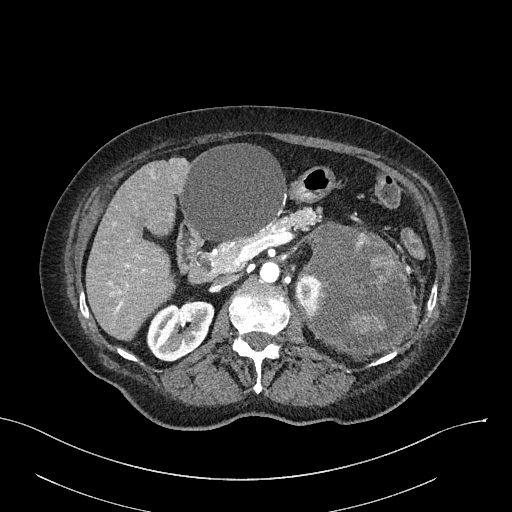
One axial slice (158 of 316, counting up from the lowest) of an arterial-phase abdominal CT acquired with 100 kVp, kernel I40f; each pixel is 0.840 mm and the slice is 2.00 mm thick.
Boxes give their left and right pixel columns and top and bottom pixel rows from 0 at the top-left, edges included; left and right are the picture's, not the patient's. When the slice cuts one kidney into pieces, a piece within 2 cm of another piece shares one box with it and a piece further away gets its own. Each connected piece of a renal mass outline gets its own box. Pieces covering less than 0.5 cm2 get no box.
Two kidney boxes and one renal mass box on this slice; by box centre, from the image's left to its right: (1) Right kidney in the box with left 146, top 300, right 214, bottom 361 (outlined area 3,033 px, about 21.4 cm2). (2) Left kidney, the box with left 295, top 276, right 318, bottom 316 (outlined area 699 px, about 4.9 cm2). (3) Box with left 300, top 224, right 417, bottom 358: left renal mass (outlined area 11,361 px, about 80.1 cm2).